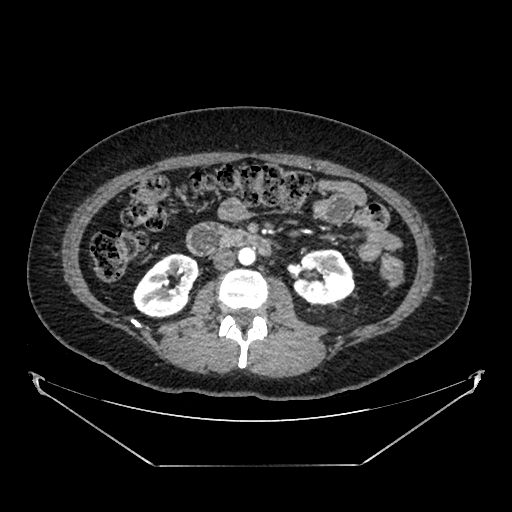
Arterial-phase contrast-enhanced abdominal CT, axial slice 212 of 383 (counted from the lowest slice); tube voltage 100 kVp, convolution kernel SOFT; slices 1.25 mm thick, 0.898 mm per pixel.
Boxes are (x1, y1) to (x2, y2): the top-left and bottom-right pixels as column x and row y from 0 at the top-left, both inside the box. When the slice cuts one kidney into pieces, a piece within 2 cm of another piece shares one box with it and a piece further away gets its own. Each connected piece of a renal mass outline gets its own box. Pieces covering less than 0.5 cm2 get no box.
Two kidney boxes on this slice; by box centre, from the image's left to its right: (1) Box (132, 253) to (199, 318): right kidney (outlined area 3,040 px, about 24.5 cm2). (2) Left kidney, box (292, 249) to (355, 304) (outlined area 2,721 px, about 22.0 cm2). No renal mass is outlined on this slice.